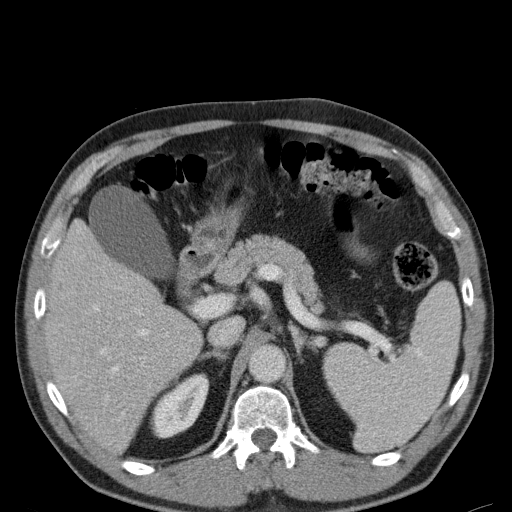
Abdominal CT with intravenous contrast, axial plane, 120 kVp, kernel B31f. Slice 78/107 from the bottom of the scan; thickness 5.00 mm; pixel size 0.730 mm.
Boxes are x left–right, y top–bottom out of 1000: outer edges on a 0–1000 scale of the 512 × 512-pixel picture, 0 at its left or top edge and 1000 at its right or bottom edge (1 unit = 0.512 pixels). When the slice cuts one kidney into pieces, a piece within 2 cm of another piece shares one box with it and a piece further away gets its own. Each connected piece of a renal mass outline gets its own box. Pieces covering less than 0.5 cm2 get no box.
Right kidney at x 293–410, y 729–857 out of 1000 (outlined area 2,522 px, about 13.5 cm2). No renal mass outline on this slice.